Axial slice 407 of 626 of a contrast-enhanced abdominal CT in the arterial phase (slice 1 is the lowest), 120 kVp, kernel I30f; 1.00 mm slice thickness and 0.703 mm pixels.
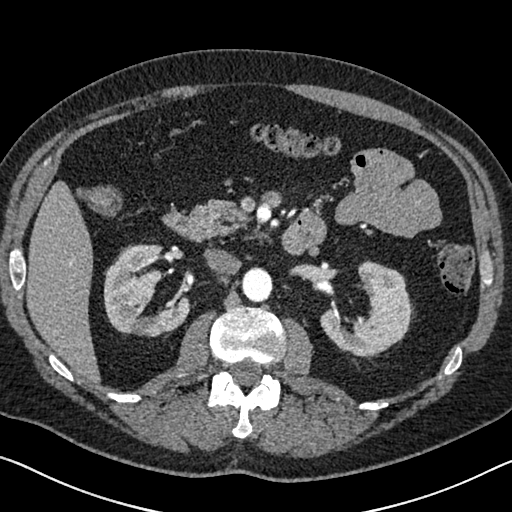
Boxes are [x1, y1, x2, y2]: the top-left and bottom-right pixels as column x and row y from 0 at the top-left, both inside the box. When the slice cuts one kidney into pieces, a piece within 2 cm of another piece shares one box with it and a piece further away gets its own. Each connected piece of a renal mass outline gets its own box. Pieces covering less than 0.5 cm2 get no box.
Two kidney boxes on this slice; by box centre, from the image's left to its right: (1) Box [104, 244, 189, 336]: right kidney (outlined area 5,331 px, about 26.4 cm2). (2) Left kidney, box [319, 260, 413, 357] (outlined area 5,192 px, about 25.7 cm2). This slice carries no renal mass outline.